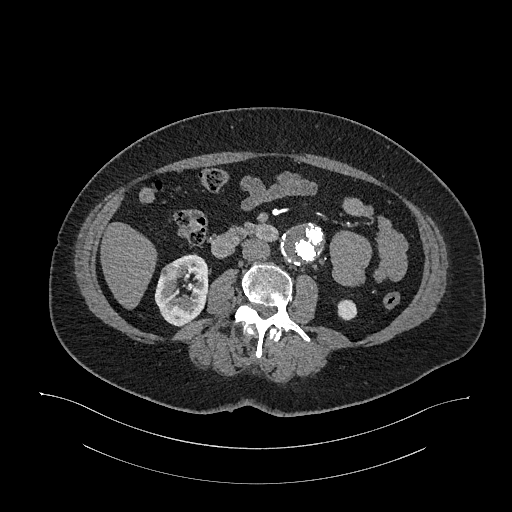
Arterial-phase contrast-enhanced abdominal CT, axial slice 582 of 987 (counted from the lowest slice); tube voltage 120 kVp, convolution kernel I26f; slices 1.00 mm thick, 0.977 mm per pixel.
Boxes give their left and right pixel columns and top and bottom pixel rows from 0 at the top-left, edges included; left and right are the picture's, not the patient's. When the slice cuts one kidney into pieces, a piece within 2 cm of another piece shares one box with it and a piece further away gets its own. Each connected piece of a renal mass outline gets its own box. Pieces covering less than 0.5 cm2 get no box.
Boxed on this slice (two kidney boxes and one renal mass box), listed by box centre from the image's left to its right: (1) Box with left 160, top 262, right 182, bottom 280: right renal mass (outlined area 298 px, about 2.8 cm2). (2) Box with left 154, top 253, right 209, bottom 326: right kidney (outlined area 2,626 px, about 25.0 cm2). (3) Left kidney in the box with left 337, top 299, right 357, bottom 320 (outlined area 352 px, about 3.4 cm2).